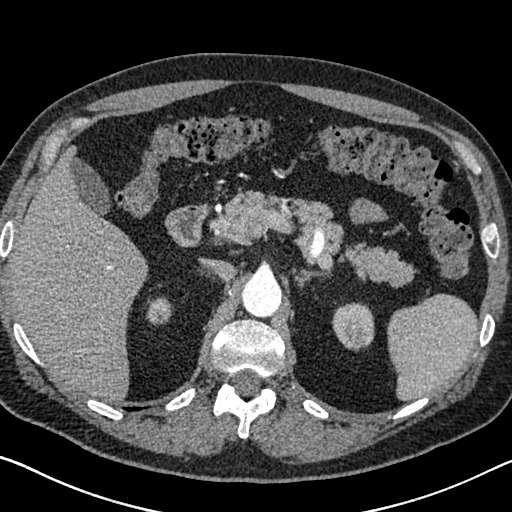
Axial slice 482 of 626 of a contrast-enhanced abdominal CT in the arterial phase (slice 1 is the lowest), 120 kVp, kernel I30f; 1.00 mm slice thickness and 0.703 mm pixels.
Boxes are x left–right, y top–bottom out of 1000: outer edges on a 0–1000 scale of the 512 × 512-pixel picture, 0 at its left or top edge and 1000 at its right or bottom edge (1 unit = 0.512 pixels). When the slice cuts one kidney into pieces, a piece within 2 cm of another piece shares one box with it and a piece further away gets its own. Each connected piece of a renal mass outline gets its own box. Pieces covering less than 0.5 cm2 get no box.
Two boxes on this slice (two kidney boxes), listed by box centre from the image's left to its right. (1) Box x 285–338, y 580–637 out of 1000: right kidney (outlined area 590 px, about 2.9 cm2). (2) Left kidney at x 648–732, y 590–688 out of 1000 (outlined area 1,636 px, about 8.1 cm2). No renal mass outline on this slice.